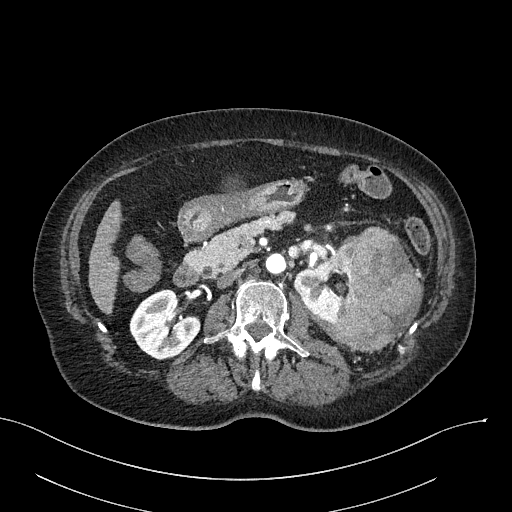
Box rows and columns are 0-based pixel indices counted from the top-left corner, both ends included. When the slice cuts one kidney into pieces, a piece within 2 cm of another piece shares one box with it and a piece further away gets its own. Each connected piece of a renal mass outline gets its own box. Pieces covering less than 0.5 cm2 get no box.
This is axial slice 134 of 316 (slice 1 is the lowest) of an arterial-phase abdominal CT with contrast; each pixel is 0.840 mm and the slice is 2.00 mm thick. Two kidney boxes and one renal mass box on this slice; by box centre, from the image's left to its right: (1) Box rows 289–360, columns 129–200: right kidney (outlined area 3,508 px, about 24.7 cm2). (2) Left kidney, box rows 246–326, columns 293–349 (outlined area 2,543 px, about 17.9 cm2). (3) Box rows 226–350, columns 333–422: left renal mass (outlined area 8,093 px, about 57.1 cm2).
Acquired at 100 kVp and reconstructed with the I40f kernel.